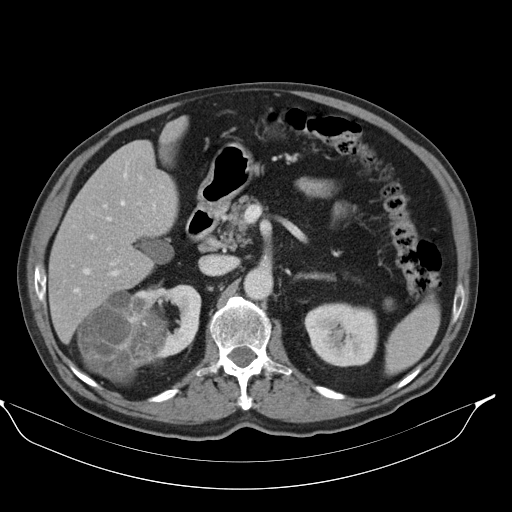
One axial slice (64 of 98, counting up from the lowest) of a contrast-enhanced abdominal CT acquired with 130 kVp, kernel B30s; each pixel is 0.840 mm and the slice is 5.00 mm thick.
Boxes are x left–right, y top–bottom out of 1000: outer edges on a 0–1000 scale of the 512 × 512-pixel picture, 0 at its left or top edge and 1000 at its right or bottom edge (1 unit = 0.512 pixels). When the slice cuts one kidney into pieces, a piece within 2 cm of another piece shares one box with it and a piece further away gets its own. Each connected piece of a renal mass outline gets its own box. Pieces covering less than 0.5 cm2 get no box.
Boxed on this slice (two kidney boxes and one renal mass box), listed by box centre from the image's left to its right: (1) Right renal mass at x 152–322, y 564–748 out of 1000 (outlined area 5,529 px, about 39.0 cm2). (2) Right kidney, box x 258–395, y 555–709 out of 1000 (outlined area 2,820 px, about 19.9 cm2). (3) Box x 596–738, y 590–719 out of 1000: left kidney (outlined area 3,922 px, about 27.7 cm2).